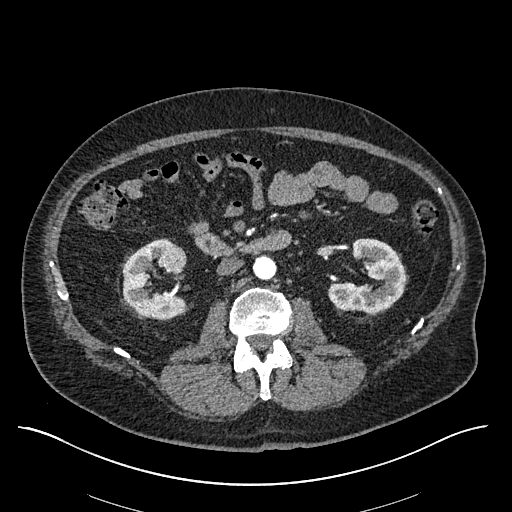
Axial slice 308 of 670 of a contrast-enhanced abdominal CT in the arterial phase (slice 1 is the lowest), 120 kVp, kernel I30f; 1.00 mm slice thickness and 0.861 mm pixels.
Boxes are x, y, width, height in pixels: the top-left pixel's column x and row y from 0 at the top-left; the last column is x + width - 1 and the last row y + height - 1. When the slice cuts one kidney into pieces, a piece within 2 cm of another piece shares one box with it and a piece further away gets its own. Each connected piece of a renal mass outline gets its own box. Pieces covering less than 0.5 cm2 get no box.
Two kidney boxes and one renal mass box on this slice; by box centre, from the image's left to its right: (1) Box x 122, y 238, width 66, height 81: right kidney (outlined area 3,201 px, about 23.7 cm2). (2) Box x 159, y 243, width 29, height 29: right renal mass (outlined area 681 px, about 5.1 cm2). (3) Left kidney at x 328, y 238, width 79, height 76 (outlined area 3,726 px, about 27.6 cm2).